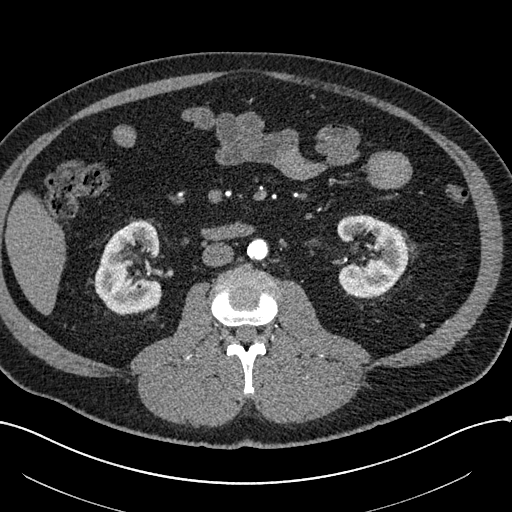
Abdominal CT with intravenous contrast, arterial phase, axial plane, 120 kVp, kernel I30f. Slice 277/602 from the bottom of the scan; thickness 1.00 mm; pixel size 0.799 mm.
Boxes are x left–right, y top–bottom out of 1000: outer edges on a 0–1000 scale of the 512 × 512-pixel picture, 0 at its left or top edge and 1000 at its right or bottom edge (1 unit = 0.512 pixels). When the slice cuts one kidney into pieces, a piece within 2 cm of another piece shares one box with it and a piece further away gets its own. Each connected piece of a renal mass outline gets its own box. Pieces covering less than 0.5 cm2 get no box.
Boxed on this slice (two kidney boxes), listed by box centre from the image's left to its right: (1) Box x 184–316, y 430–615 out of 1000: right kidney (outlined area 4,720 px, about 30.1 cm2). (2) Box x 656–799, y 418–582 out of 1000: left kidney (outlined area 4,316 px, about 27.5 cm2). This slice carries no renal mass outline.